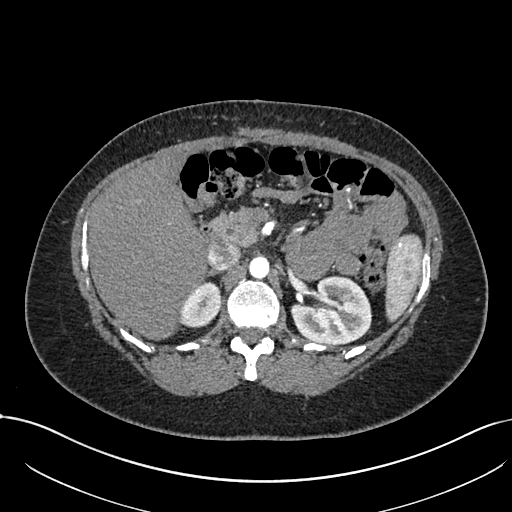
Axial slice 482 of 738 of a contrast-enhanced abdominal CT in the arterial phase (slice 1 is the lowest), 120 kVp, kernel I30f; 1.00 mm slice thickness and 0.789 mm pixels.
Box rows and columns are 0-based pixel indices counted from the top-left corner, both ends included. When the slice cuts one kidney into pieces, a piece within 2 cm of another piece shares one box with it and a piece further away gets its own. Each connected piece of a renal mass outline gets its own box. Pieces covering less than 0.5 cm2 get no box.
Two kidney boxes on this slice; by box centre, from the image's left to its right: (1) Right kidney, box rows 281–328, columns 180–220 (outlined area 1,447 px, about 9.0 cm2). (2) Left kidney, box rows 275–344, columns 290–372 (outlined area 4,244 px, about 26.4 cm2). This slice carries no renal mass outline.